One axial slice (66 of 234, counting up from the lowest) of an arterial-phase abdominal CT acquired with 100 kVp, kernel I40f; each pixel is 0.699 mm and the slice is 2.00 mm thick.
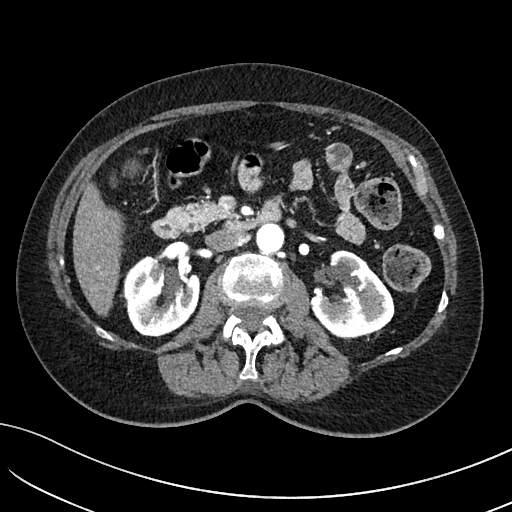
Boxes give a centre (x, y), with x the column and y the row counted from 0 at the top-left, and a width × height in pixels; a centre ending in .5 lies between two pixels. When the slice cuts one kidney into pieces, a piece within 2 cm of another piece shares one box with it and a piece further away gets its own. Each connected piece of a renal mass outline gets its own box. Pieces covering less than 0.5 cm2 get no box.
Two kidney boxes on this slice; by box centre, from the image's left to its right: (1) Right kidney, box centre (161, 296), 77 × 83 pixels (outlined area 4,747 px, about 23.2 cm2). (2) Left kidney in a box with centre (351.5, 294), 86 × 89 pixels (outlined area 5,119 px, about 25.0 cm2). No renal mass outline on this slice.